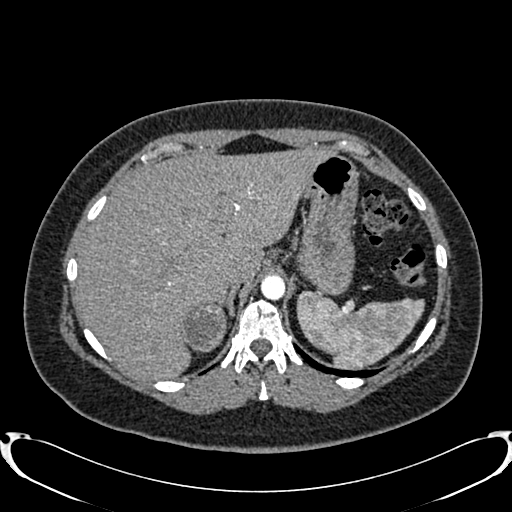
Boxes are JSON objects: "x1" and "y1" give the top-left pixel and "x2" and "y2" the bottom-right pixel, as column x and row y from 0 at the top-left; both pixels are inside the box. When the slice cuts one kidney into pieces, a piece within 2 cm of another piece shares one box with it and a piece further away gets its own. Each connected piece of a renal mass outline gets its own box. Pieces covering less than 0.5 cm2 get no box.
Slice 630/719 of a contrast-enhanced abdominal CT in the arterial phase, counting up from the lowest; pixel size 0.766 mm, slice thickness 1.00 mm. Right renal mass at {"x1": 182, "y1": 302, "x2": 226, "y2": 351} (outlined area 1,809 px, about 10.6 cm2); no kidney is outlined on this slice, but the same outlined renal mass comes within 1 cm of the kidney on another slice.
Tube voltage 120 kVp; convolution kernel B20f.